Axial slice 553 of 787 of a contrast-enhanced abdominal CT (slice 1 is the lowest), 140 kVp, kernel I30f; 1.00 mm slice thickness and 0.910 mm pixels.
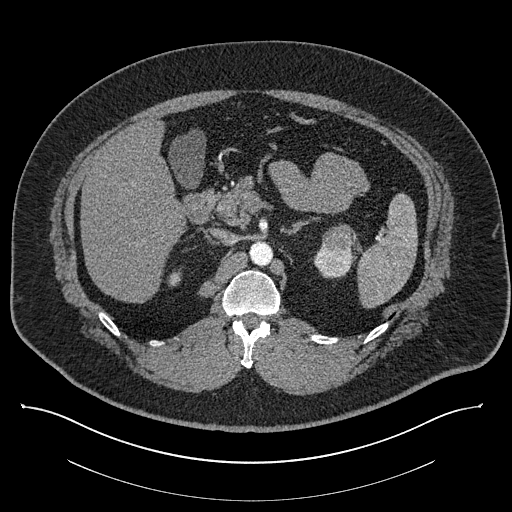
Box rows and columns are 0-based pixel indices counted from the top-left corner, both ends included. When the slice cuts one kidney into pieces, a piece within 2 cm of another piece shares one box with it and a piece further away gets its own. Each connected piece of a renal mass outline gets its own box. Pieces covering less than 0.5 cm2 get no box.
Boxed on this slice (two kidney boxes and one renal mass box), listed by box centre from the image's left to its right: (1) Right kidney, box rows 269–286, columns 167–181 (outlined area 190 px, about 1.6 cm2). (2) Left kidney, box rows 244–278, columns 313–352 (outlined area 932 px, about 7.7 cm2). (3) Left renal mass, box rows 224–253, columns 322–356 (outlined area 780 px, about 6.5 cm2).